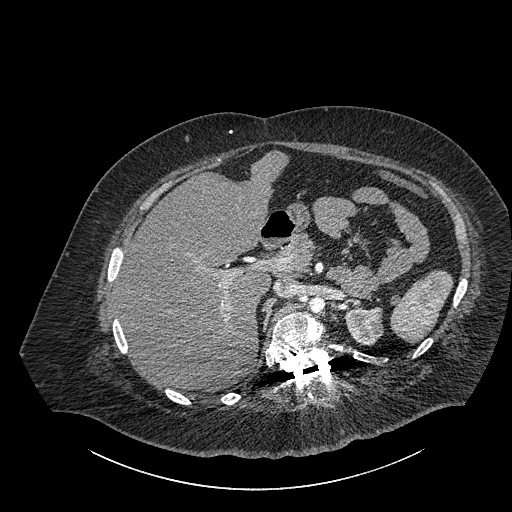
Axial slice 626 of 834 of a contrast-enhanced abdominal CT (slice 1 is the lowest), 140 kVp, kernel I30f; 1.00 mm slice thickness and 0.977 mm pixels.
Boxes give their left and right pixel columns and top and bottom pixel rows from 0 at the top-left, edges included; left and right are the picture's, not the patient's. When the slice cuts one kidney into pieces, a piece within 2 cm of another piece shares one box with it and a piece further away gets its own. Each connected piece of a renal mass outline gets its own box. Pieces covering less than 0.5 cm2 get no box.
Left part of the midline-crossing kidney, the box with left 344, top 307, right 383, bottom 345 (outlined area 1,188 px, about 11.3 cm2). This slice carries no renal mass outline.